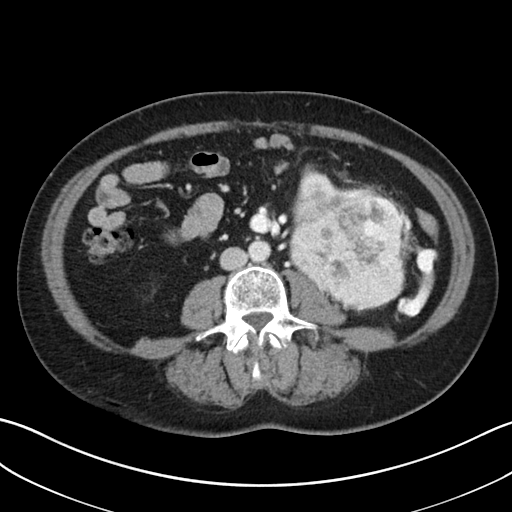
One axial slice (6 of 38, counting up from the lowest) of a contrast-enhanced abdominal CT acquired with 100 kVp, kernel I30f; each pixel is 0.730 mm and the slice is 5.00 mm thick.
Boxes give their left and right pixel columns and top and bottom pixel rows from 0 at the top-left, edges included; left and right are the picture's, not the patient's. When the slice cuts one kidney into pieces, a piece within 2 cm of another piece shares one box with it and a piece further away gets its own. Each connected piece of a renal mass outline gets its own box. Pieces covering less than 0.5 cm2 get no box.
One kidney box and one renal mass box on this slice; by box centre, from the image's left to its right: (1) Left kidney in the box with left 293, top 166, right 338, bottom 207 (outlined area 935 px, about 5.0 cm2). (2) Box with left 291, top 189, right 404, bottom 308: left renal mass (outlined area 10,898 px, about 58.2 cm2).